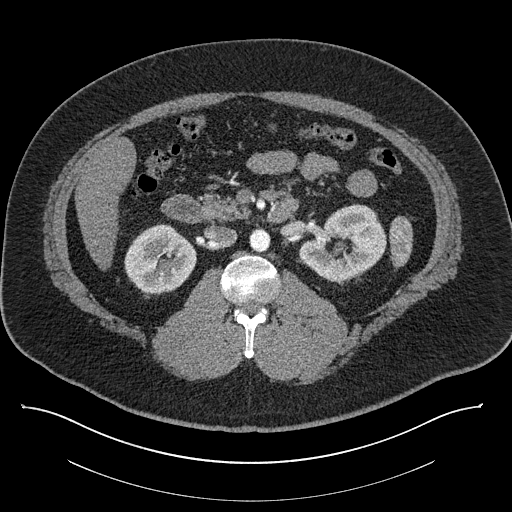
Contrast-enhanced abdominal CT, axial slice 494 of 787 (counted from the lowest slice); tube voltage 140 kVp, convolution kernel I30f; slices 1.00 mm thick, 0.910 mm per pixel.
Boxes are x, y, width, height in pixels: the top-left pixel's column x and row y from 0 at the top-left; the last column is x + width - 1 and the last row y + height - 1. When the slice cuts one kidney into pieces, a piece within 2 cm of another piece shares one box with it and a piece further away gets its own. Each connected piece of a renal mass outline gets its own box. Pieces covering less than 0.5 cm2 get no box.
Boxed on this slice (two kidney boxes), listed by box centre from the image's left to its right: (1) Right kidney at x 124, y 224, width 73, height 71 (outlined area 3,845 px, about 31.9 cm2). (2) Left kidney at x 298, y 204, width 89, height 79 (outlined area 4,751 px, about 39.4 cm2). No renal mass is outlined on this slice.